Axial slice 47 of 77 of a contrast-enhanced abdominal CT in the arterial phase (slice 1 is the lowest), 100 kVp, kernel B41f; 3.00 mm slice thickness and 0.809 mm pixels.
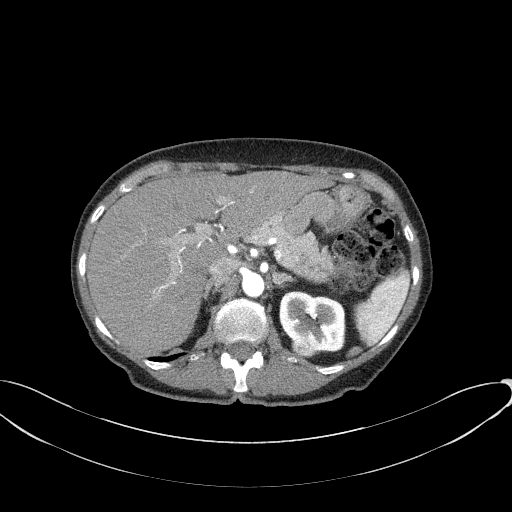
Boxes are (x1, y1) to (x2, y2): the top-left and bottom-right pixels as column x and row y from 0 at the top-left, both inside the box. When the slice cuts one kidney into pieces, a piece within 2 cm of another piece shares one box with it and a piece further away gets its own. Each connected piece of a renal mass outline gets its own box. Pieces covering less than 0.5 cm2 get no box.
Two boxes on this slice (one kidney box and one renal mass box), listed by box centre from the image's left to its right. (1) Left renal mass from (291, 336) to (318, 358) (outlined area 461 px, about 3.0 cm2). (2) Left kidney, box (279, 290) to (345, 354) (outlined area 3,117 px, about 20.4 cm2).